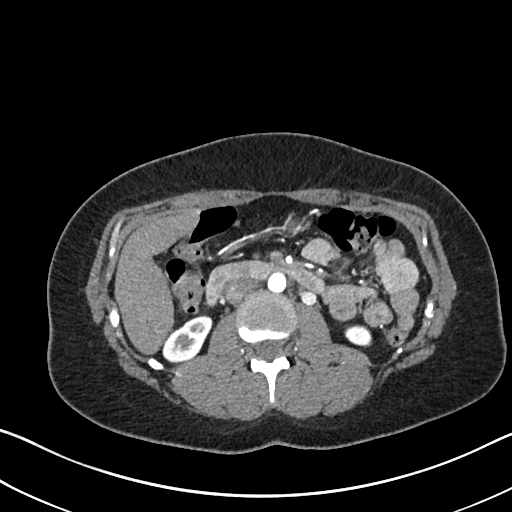
Abdominal CT with intravenous contrast, arterial phase, axial plane, 120 kVp, kernel I30f. Slice 376/612 from the bottom of the scan; thickness 1.00 mm; pixel size 0.703 mm.
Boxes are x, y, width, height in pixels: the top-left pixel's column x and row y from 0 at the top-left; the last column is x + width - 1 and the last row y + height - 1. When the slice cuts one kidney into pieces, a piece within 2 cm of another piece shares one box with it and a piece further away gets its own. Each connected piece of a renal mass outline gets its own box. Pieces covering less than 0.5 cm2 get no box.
Two boxes on this slice (two kidney boxes), listed by box centre from the image's left to its right. (1) Box x 162, y 315, width 51, height 48: right kidney (outlined area 1,477 px, about 7.3 cm2). (2) Left kidney, box x 344, y 325, width 28, height 22 (outlined area 496 px, about 2.5 cm2). No renal mass is outlined on this slice.